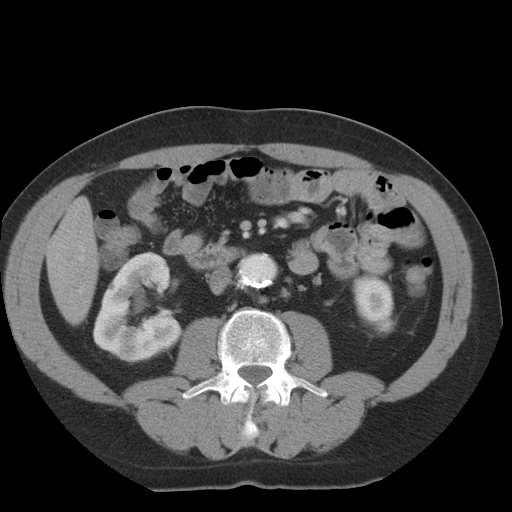
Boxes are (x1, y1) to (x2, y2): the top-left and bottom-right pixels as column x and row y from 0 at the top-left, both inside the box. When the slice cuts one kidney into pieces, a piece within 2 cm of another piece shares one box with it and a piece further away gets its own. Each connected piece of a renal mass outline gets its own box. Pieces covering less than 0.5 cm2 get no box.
Arterial-phase contrast-enhanced abdominal CT, axial slice 8 of 36 (counted from the lowest slice); 5.00 mm thick, 0.703 mm per pixel. Two boxes on this slice (two kidney boxes), listed by box centre from the image's left to its right. (1) Right kidney, box (92, 251) to (183, 363) (outlined area 6,942 px, about 34.3 cm2). (2) Left kidney, box (353, 273) to (396, 336) (outlined area 2,001 px, about 9.9 cm2). This slice carries no renal mass outline.
Acquired at 140 kVp and reconstructed with the STANDARD kernel.